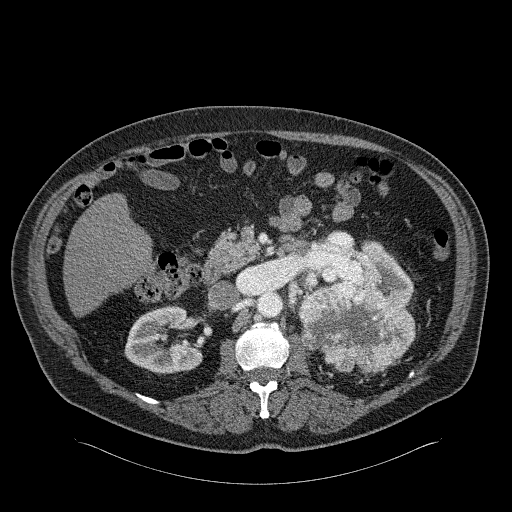
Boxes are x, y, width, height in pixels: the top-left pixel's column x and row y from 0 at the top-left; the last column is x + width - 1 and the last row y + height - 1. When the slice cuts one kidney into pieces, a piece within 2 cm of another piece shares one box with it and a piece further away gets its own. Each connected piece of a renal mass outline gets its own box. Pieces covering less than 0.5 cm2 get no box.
Slice 135/326 of a contrast-enhanced abdominal CT in the arterial phase, counting up from the lowest; pixel size 0.963 mm, slice thickness 2.00 mm. Boxed on this slice (two kidney boxes and one renal mass box), listed by box centre from the image's left to its right: (1) Box x 124, y 305, width 79, height 70: right kidney (outlined area 3,841 px, about 35.6 cm2). (2) Box x 298, y 269, width 118, height 105: left renal mass (outlined area 8,436 px, about 78.2 cm2). (3) Box x 310, y 241, width 104, height 66: left kidney (outlined area 2,703 px, about 25.1 cm2).
Tube voltage 120 kVp; convolution kernel B31f.